Axial slice 362 of 602 of a contrast-enhanced abdominal CT in the arterial phase (slice 1 is the lowest), 120 kVp, kernel I30f; 1.00 mm slice thickness and 0.799 mm pixels.
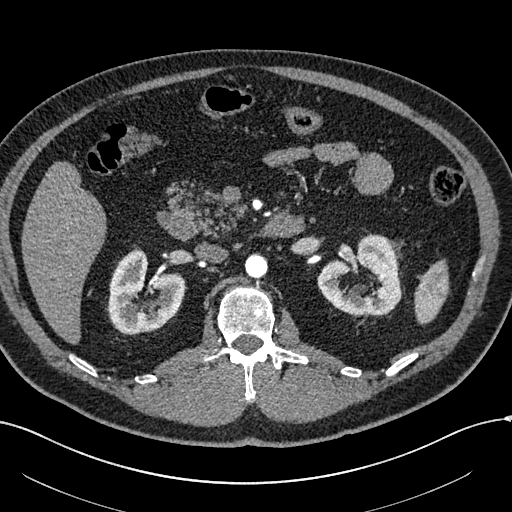
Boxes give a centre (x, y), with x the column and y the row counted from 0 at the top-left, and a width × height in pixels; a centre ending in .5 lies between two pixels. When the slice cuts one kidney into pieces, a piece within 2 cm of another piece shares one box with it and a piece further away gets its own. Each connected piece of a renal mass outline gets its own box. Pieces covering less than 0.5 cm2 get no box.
Two kidney boxes on this slice; by box centre, from the image's left to its right: (1) Right kidney in a box with centre (146, 292), 77 × 87 pixels (outlined area 4,576 px, about 29.2 cm2). (2) Left kidney, box centre (359, 274.5), 85 × 82 pixels (outlined area 4,678 px, about 29.9 cm2). No renal mass is outlined on this slice.